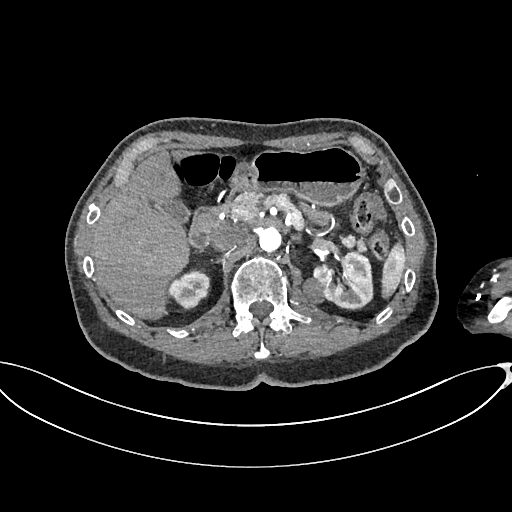
Axial slice 447 of 665 of a contrast-enhanced abdominal CT in the arterial phase (slice 1 is the lowest), 100 kVp, kernel I26f; 1.00 mm slice thickness and 0.828 mm pixels.
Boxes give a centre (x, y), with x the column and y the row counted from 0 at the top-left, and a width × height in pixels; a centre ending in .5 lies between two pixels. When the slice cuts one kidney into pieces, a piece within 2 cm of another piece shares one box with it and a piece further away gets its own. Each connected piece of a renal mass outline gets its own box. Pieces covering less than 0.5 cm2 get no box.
Three boxes on this slice (two kidney boxes and one renal mass box), listed by box centre from the image's left to its right. (1) Right kidney, box centre (189.5, 290), 42 × 41 pixels (outlined area 1,207 px, about 8.3 cm2). (2) Left renal mass in a box with centre (310.5, 290.5), 28 × 28 pixels (outlined area 530 px, about 3.6 cm2). (3) Left kidney, box centre (342.5, 278.5), 60 × 58 pixels (outlined area 2,469 px, about 16.9 cm2).